Abdominal CT with intravenous contrast, arterial phase, axial plane, 120 kVp, kernel I30f. Slice 59/261 from the bottom of the scan; thickness 2.00 mm; pixel size 0.939 mm.
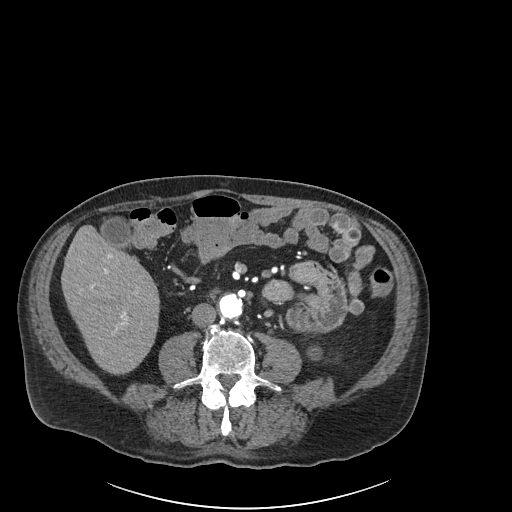
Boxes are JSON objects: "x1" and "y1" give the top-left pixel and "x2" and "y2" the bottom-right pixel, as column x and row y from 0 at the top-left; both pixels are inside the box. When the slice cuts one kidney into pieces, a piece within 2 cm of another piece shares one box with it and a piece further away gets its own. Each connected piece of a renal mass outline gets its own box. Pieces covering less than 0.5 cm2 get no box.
Left kidney at {"x1": 306, "y1": 346, "x2": 321, "y2": 360} (outlined area 184 px, about 1.6 cm2). No renal mass is outlined on this slice.